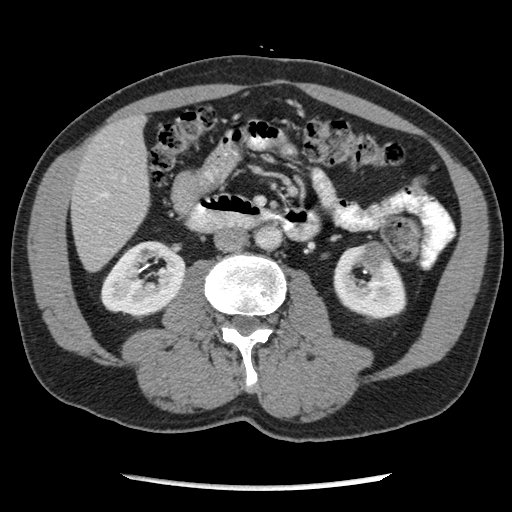
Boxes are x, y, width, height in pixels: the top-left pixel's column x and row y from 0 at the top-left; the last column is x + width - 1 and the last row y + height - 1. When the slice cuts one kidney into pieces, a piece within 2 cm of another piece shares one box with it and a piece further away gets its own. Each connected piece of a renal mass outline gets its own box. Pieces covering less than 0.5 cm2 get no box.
Arterial-phase contrast-enhanced abdominal CT, axial slice 110 of 262 (counted from the lowest slice); 2.50 mm thick, 0.703 mm per pixel. Boxed on this slice (two kidney boxes and one renal mass box), listed by box centre from the image's left to its right: (1) Right kidney at x 100, y 240, width 87, height 78 (outlined area 4,746 px, about 23.5 cm2). (2) Left kidney, box x 333, y 244, width 74, height 77 (outlined area 3,692 px, about 18.3 cm2). (3) Box x 362, y 241, width 30, height 30: left renal mass (outlined area 624 px, about 3.1 cm2).
Acquired at 120 kVp and reconstructed with the STANDARD kernel.